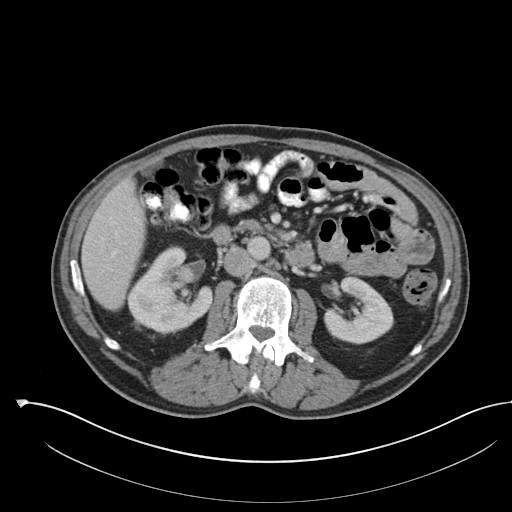
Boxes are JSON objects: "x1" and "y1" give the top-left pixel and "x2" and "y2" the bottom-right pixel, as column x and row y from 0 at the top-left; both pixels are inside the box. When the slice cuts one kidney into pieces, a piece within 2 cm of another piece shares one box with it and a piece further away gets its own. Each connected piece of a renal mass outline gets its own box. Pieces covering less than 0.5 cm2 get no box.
This is axial slice 64 of 142 (slice 1 is the lowest) of an abdominal CT with contrast; each pixel is 0.855 mm and the slice is 5.00 mm thick. Three boxes on this slice (two kidney boxes and one renal mass box), listed by box centre from the image's left to its right. (1) Right renal mass at {"x1": 139, "y1": 263, "x2": 193, "y2": 327} (outlined area 2,231 px, about 16.3 cm2). (2) Box {"x1": 128, "y1": 247, "x2": 213, "y2": 332}: right kidney (outlined area 2,781 px, about 20.4 cm2). (3) Box {"x1": 323, "y1": 277, "x2": 394, "y2": 344}: left kidney (outlined area 3,273 px, about 24.0 cm2).
Acquired at 100 kVp and reconstructed with the I30f kernel.